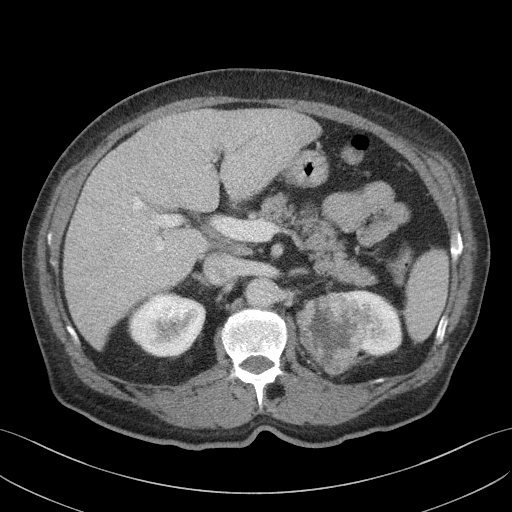
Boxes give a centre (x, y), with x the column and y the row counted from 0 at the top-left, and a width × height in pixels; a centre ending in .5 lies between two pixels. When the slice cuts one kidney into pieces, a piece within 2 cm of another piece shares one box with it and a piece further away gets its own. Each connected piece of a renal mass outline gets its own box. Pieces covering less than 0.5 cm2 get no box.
Contrast-enhanced abdominal CT, axial slice 77 of 103 (counted from the lowest slice); 4.00 mm thick, 0.742 mm per pixel. Three boxes on this slice (two kidney boxes and one renal mass box), listed by box centre from the image's left to its right. (1) Right kidney in a box with centre (167, 324.5), 79 × 66 pixels (outlined area 3,853 px, about 21.2 cm2). (2) Left renal mass, box centre (331, 333.5), 71 × 84 pixels (outlined area 4,298 px, about 23.7 cm2). (3) Left kidney, box centre (369.5, 323), 64 × 67 pixels (outlined area 2,295 px, about 12.6 cm2).
Scan settings: 100 kVp, I41f reconstruction kernel.